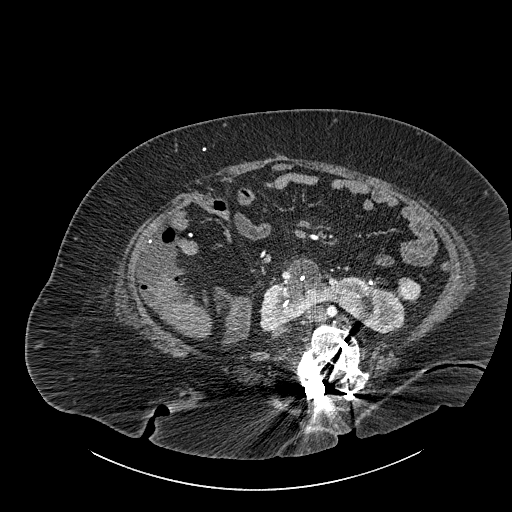
Abdominal CT with intravenous contrast, axial plane, 140 kVp, kernel I30f. Slice 478/834 from the bottom of the scan; thickness 1.00 mm; pixel size 0.977 mm.
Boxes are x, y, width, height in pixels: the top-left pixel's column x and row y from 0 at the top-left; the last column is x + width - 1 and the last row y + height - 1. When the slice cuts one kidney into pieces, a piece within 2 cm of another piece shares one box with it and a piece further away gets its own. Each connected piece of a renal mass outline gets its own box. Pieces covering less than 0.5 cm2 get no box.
Boxed on this slice (one kidney box and one renal mass box), listed by box centre from the image's left to its right: (1) Kidney crossing the body midline at x 259, y 257, width 147, height 77 (outlined area 5,883 px, about 56.1 cm2). (2) Box x 395, y 277, width 26, height 27: renal mass (outlined area 494 px, about 4.7 cm2).